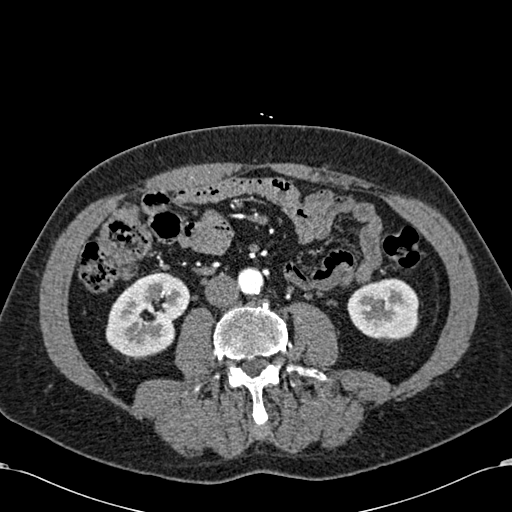
Arterial-phase contrast-enhanced abdominal CT, axial slice 258 of 581 (counted from the lowest slice); tube voltage 120 kVp, convolution kernel B30f; slices 1.00 mm thick, 0.713 mm per pixel.
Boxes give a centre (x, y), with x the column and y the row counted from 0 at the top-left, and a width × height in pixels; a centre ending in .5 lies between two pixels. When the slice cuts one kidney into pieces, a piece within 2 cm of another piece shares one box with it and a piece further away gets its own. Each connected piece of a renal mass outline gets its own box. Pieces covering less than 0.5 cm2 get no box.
Two boxes on this slice (two kidney boxes), listed by box centre from the image's left to its right. (1) Right kidney, box centre (148, 313.5), 87 × 84 pixels (outlined area 5,088 px, about 25.9 cm2). (2) Box centre (383, 308.5), 73 × 62 pixels: left kidney (outlined area 3,561 px, about 18.1 cm2). This slice carries no renal mass outline.